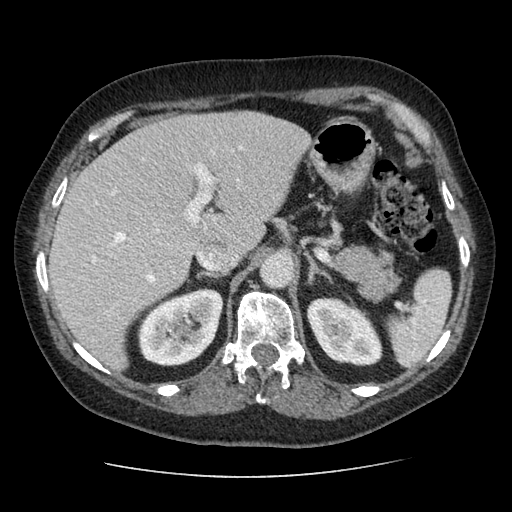
Arterial-phase contrast-enhanced abdominal CT, axial slice 69 of 96 (counted from the lowest slice); tube voltage 120 kVp, convolution kernel STANDARD; slices 2.50 mm thick, 0.689 mm per pixel.
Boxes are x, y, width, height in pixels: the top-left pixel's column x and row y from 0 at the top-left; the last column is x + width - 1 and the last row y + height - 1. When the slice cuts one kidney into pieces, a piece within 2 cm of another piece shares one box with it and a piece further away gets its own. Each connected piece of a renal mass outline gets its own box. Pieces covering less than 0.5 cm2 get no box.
Two boxes on this slice (two kidney boxes), listed by box centre from the image's left to its right. (1) Box x 137, y 288, width 87, height 79: right kidney (outlined area 4,957 px, about 23.6 cm2). (2) Left kidney at x 306, y 297, width 77, height 70 (outlined area 3,779 px, about 18.0 cm2). No renal mass is outlined on this slice.